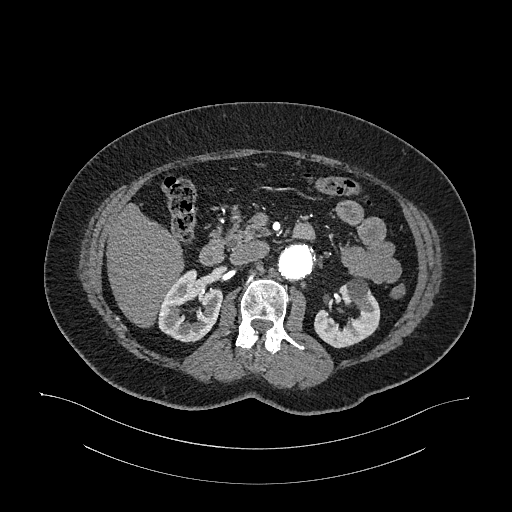
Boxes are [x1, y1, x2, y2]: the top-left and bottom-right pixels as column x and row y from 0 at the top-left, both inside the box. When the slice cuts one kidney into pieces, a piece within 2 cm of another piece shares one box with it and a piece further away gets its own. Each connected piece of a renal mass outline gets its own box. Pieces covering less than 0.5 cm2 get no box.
Slice 663/987 of a contrast-enhanced abdominal CT in the arterial phase, counting up from the lowest; pixel size 0.977 mm, slice thickness 1.00 mm. Two boxes on this slice (two kidney boxes), listed by box centre from the image's left to its right. (1) Box [158, 269, 222, 342]: right kidney (outlined area 3,198 px, about 30.5 cm2). (2) Left kidney at [314, 276, 380, 348] (outlined area 2,839 px, about 27.1 cm2). No renal mass outline on this slice.
Acquired at 120 kVp and reconstructed with the I26f kernel.